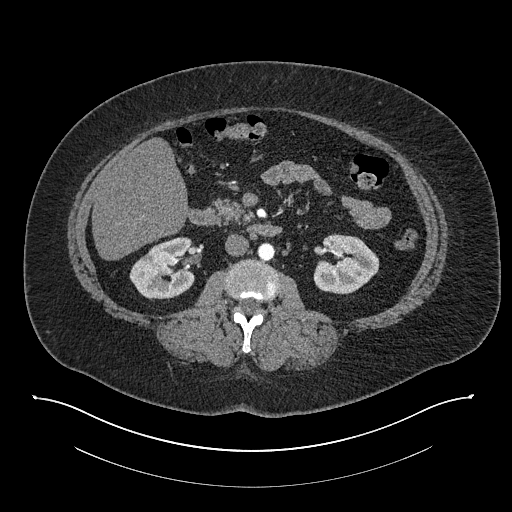
Axial slice 434 of 673 of a contrast-enhanced abdominal CT in the arterial phase (slice 1 is the lowest), 140 kVp, kernel I30f; 1.00 mm slice thickness and 0.957 mm pixels.
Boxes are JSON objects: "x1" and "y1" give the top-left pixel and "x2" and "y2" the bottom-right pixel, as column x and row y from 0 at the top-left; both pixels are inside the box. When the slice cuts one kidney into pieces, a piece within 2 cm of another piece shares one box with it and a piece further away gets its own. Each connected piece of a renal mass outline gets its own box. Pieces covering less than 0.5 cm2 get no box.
Two kidney boxes on this slice; by box centre, from the image's left to its right: (1) Box {"x1": 129, "y1": 237, "x2": 194, "y2": 299}: right kidney (outlined area 3,042 px, about 27.9 cm2). (2) Left kidney, box {"x1": 313, "y1": 234, "x2": 379, "y2": 294} (outlined area 2,966 px, about 27.2 cm2). This slice carries no renal mass outline.